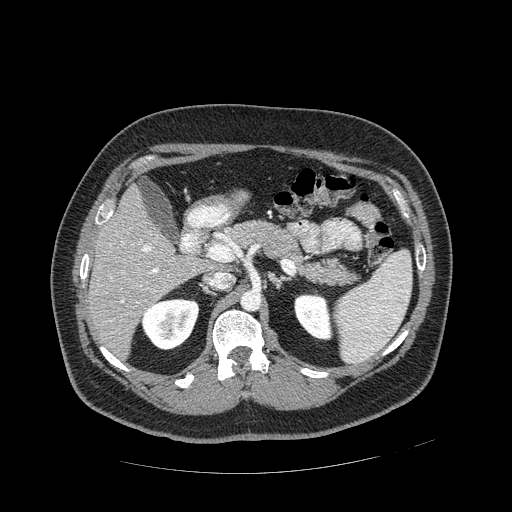
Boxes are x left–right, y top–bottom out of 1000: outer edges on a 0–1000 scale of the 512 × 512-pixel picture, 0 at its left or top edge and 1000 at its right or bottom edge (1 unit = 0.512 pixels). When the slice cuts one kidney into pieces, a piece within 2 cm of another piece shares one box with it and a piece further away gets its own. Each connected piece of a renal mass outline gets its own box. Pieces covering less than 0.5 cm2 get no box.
This is axial slice 282 of 389 (slice 1 is the lowest) of an arterial-phase abdominal CT with contrast; each pixel is 0.869 mm and the slice is 1.25 mm thick. Boxed on this slice (two kidney boxes), listed by box centre from the image's left to its right: (1) Right kidney at x 275–391, y 582–686 out of 1000 (outlined area 2,321 px, about 17.5 cm2). (2) Left kidney, box x 574–650, y 574–664 out of 1000 (outlined area 1,363 px, about 10.3 cm2). No renal mass outline on this slice.
Tube voltage 120 kVp; convolution kernel STANDARD.